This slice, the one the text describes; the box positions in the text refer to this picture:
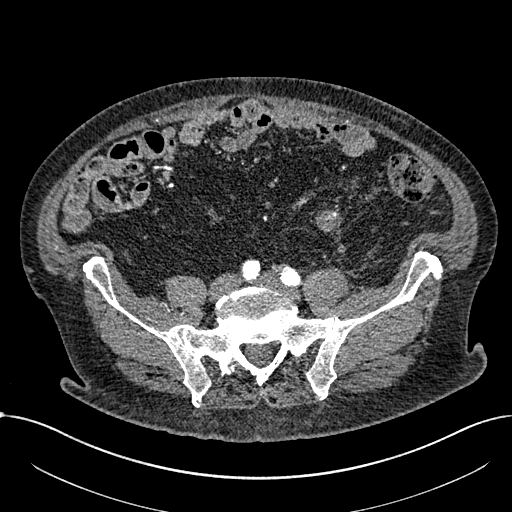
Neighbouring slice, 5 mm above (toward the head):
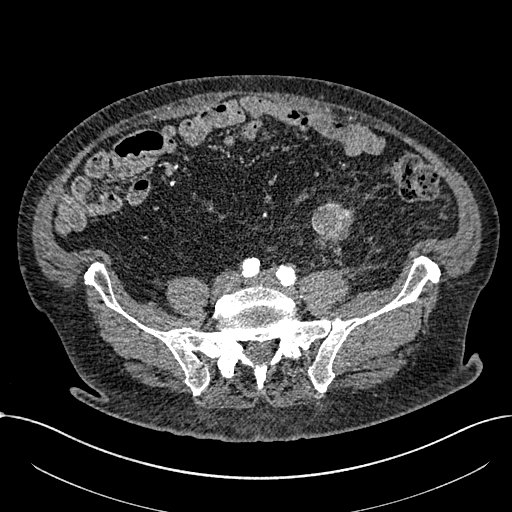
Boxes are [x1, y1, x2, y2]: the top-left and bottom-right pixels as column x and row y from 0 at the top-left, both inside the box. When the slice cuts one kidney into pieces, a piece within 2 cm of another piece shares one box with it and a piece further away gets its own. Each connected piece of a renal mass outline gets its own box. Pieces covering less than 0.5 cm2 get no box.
Slice 154/1059 of a contrast-enhanced abdominal CT in the arterial phase, counting up from the lowest; pixel size 0.811 mm, slice thickness 1.00 mm. Renal mass, box [315, 210, 340, 234] (outlined area 485 px, about 3.2 cm2); this slice has no kidney outline, though on another slice the same outlined renal mass lies within 1 cm of the kidney. This slice lies near the end of a renal mass toward the feet; the slice 5 mm above it is shown too, and the boxes mark positions on this slice only.
Acquired at 100 kVp and reconstructed with the I30f kernel.